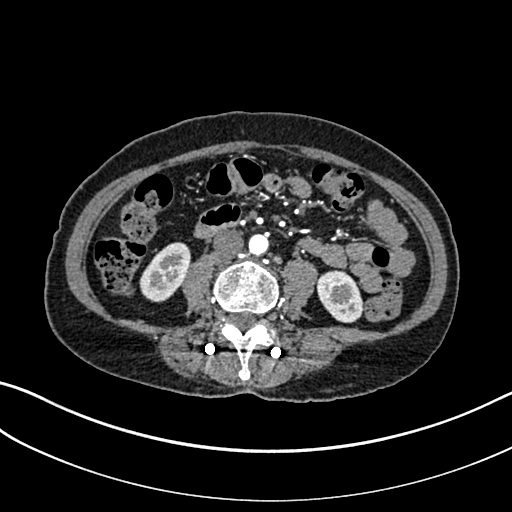
Arterial-phase contrast-enhanced abdominal CT, axial slice 72 of 325 (counted from the lowest slice); tube voltage 100 kVp, convolution kernel I30f; slices 1.00 mm thick, 0.703 mm per pixel.
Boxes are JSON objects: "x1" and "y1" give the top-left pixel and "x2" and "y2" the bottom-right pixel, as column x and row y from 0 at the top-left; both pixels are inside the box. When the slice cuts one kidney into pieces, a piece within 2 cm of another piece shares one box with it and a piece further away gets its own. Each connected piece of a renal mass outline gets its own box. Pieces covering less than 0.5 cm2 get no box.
Two kidney boxes on this slice; by box centre, from the image's left to its right: (1) Box {"x1": 139, "y1": 242, "x2": 191, "y2": 302}: right kidney (outlined area 2,112 px, about 10.4 cm2). (2) Left kidney at {"x1": 315, "y1": 270, "x2": 363, "y2": 322} (outlined area 1,865 px, about 9.2 cm2). No renal mass is outlined on this slice.